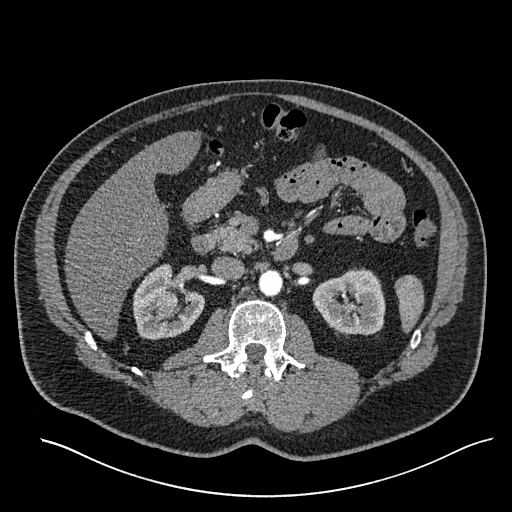
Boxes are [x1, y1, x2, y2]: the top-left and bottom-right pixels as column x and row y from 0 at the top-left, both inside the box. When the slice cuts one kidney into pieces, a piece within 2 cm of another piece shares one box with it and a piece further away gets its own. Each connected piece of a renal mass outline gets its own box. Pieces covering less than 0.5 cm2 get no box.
This is axial slice 346 of 527 (slice 1 is the lowest) of an arterial-phase abdominal CT with contrast; each pixel is 0.859 mm and the slice is 1.00 mm thick. Two kidney boxes and one renal mass box on this slice; by box centre, from the image's left to its right: (1) Right renal mass, box [155, 290, 177, 311] (outlined area 406 px, about 3.0 cm2). (2) Right kidney at [132, 263, 205, 340] (outlined area 3,422 px, about 25.3 cm2). (3) Box [312, 267, 385, 336]: left kidney (outlined area 3,772 px, about 27.9 cm2).
Tube voltage 120 kVp; convolution kernel I30f.